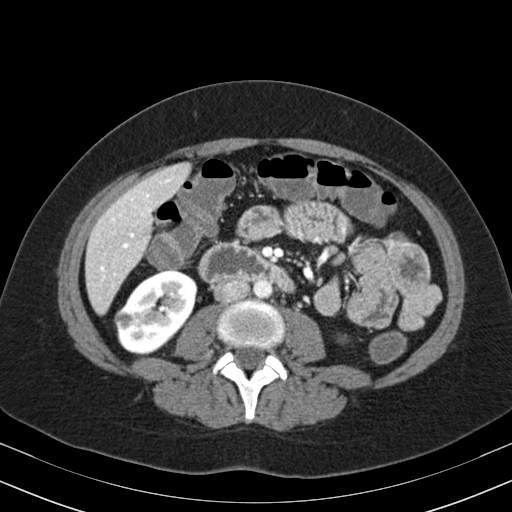
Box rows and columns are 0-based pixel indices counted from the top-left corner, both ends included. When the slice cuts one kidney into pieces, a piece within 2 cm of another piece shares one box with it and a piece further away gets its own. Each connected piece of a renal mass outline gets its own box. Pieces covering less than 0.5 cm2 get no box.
Arterial-phase contrast-enhanced abdominal CT, axial slice 98 of 164 (counted from the lowest slice); 3.00 mm thick, 0.664 mm per pixel. Boxed on this slice (one kidney box and one renal mass box), listed by box centre from the image's left to its right: (1) Box rows 311–328, columns 114–135: right renal mass (outlined area 289 px, about 1.3 cm2). (2) Right kidney at rows 271–356, columns 115–196 (outlined area 4,570 px, about 20.2 cm2).
Scan settings: 130 kVp, B30s reconstruction kernel.